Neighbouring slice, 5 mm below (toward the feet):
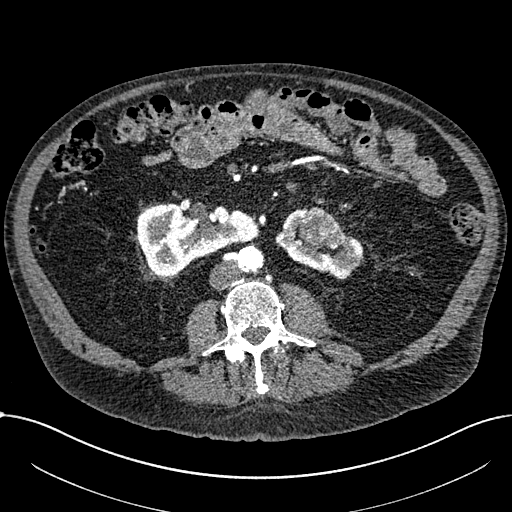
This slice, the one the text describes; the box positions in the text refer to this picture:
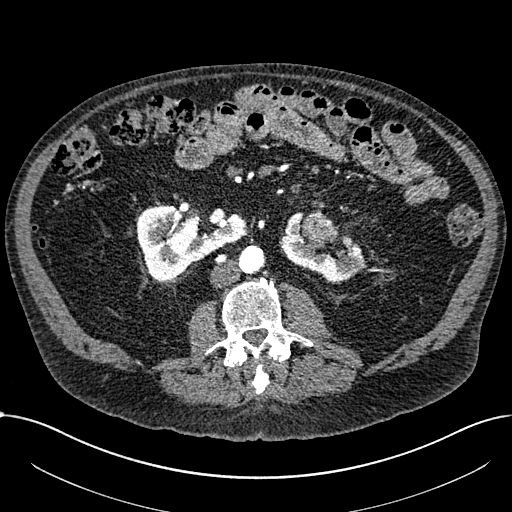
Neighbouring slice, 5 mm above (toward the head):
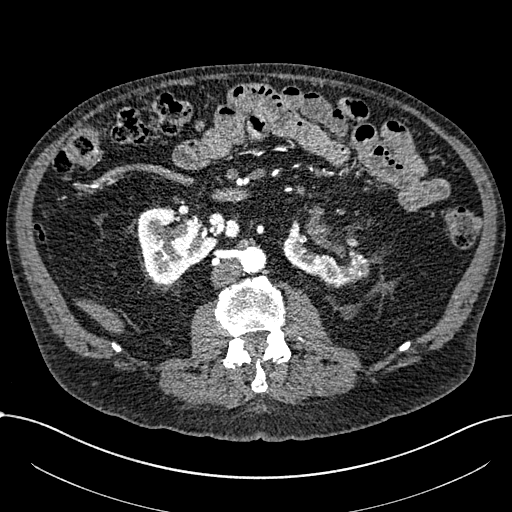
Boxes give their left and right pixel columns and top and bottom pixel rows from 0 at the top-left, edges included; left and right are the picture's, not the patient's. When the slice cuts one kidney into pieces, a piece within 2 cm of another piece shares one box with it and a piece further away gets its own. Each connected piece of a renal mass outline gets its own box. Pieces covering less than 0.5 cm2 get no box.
Arterial-phase contrast-enhanced abdominal CT, axial slice 333 of 1059 (counted from the lowest slice); 1.00 mm thick, 0.811 mm per pixel. Boxed on this slice (two kidney boxes and one renal mass box), listed by box centre from the image's left to its right: (1) Right part of the midline-crossing kidney, the box with left 136, top 204, right 247, bottom 280 (outlined area 5,579 px, about 36.7 cm2). (2) Box with left 301, top 211, right 338, bottom 248: renal mass (outlined area 1,037 px, about 6.8 cm2). (3) Left part of the midline-crossing kidney, the box with left 279, top 211, right 365, bottom 283 (outlined area 2,826 px, about 18.6 cm2). This slice lies near the end of a renal mass toward the head; the slices 5 mm below and 5 mm above it are shown too, and the boxes mark positions on this slice only.
Acquired at 100 kVp and reconstructed with the I30f kernel.